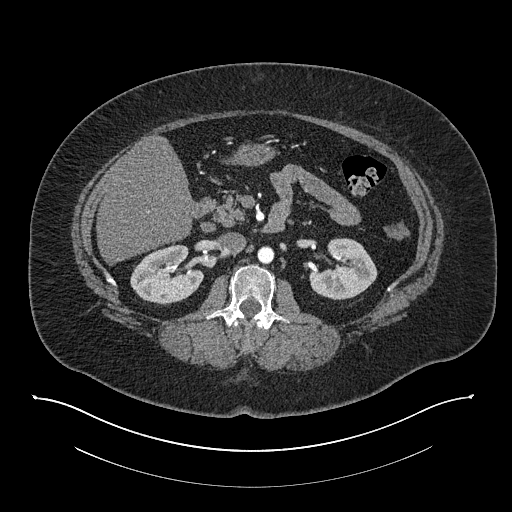
Arterial-phase contrast-enhanced abdominal CT, axial slice 467 of 673 (counted from the lowest slice); tube voltage 140 kVp, convolution kernel I30f; slices 1.00 mm thick, 0.957 mm per pixel.
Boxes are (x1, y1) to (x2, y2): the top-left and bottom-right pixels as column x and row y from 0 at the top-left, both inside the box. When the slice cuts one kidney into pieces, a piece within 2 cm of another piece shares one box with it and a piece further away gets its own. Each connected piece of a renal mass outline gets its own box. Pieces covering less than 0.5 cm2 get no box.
Two kidney boxes on this slice; by box centre, from the image's left to its right: (1) Right kidney, box (130, 244) to (204, 305) (outlined area 3,215 px, about 29.4 cm2). (2) Box (309, 238) to (377, 299): left kidney (outlined area 2,970 px, about 27.2 cm2). No renal mass outline on this slice.